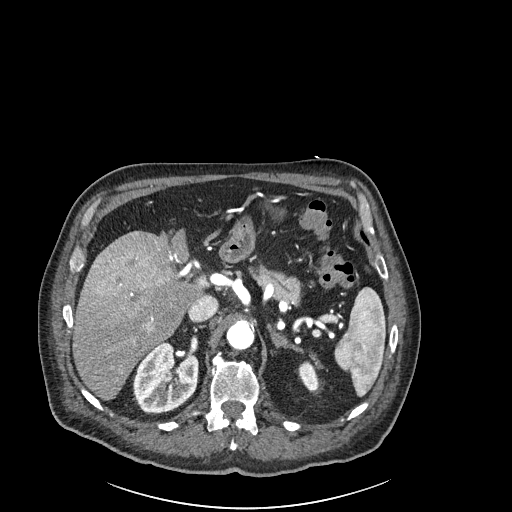
One axial slice (163 of 261, counting up from the lowest) of an arterial-phase abdominal CT acquired with 120 kVp, kernel I30f; each pixel is 0.939 mm and the slice is 2.00 mm thick.
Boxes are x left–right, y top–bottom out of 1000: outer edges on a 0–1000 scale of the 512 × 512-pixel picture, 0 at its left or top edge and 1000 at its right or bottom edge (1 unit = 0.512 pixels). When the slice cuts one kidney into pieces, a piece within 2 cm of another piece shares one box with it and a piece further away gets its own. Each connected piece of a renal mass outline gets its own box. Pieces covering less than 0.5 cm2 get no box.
Two kidney boxes on this slice; by box centre, from the image's left to its right: (1) Right kidney at x 258–389, y 666–811 out of 1000 (outlined area 3,663 px, about 32.3 cm2). (2) Box x 582–625, y 707–764 out of 1000: left kidney (outlined area 442 px, about 3.9 cm2). This slice carries no renal mass outline.